Abdominal CT with intravenous contrast, arterial phase, axial plane, 120 kVp, kernel I26f. Slice 187/548 from the bottom of the scan; thickness 1.00 mm; pixel size 0.852 mm.
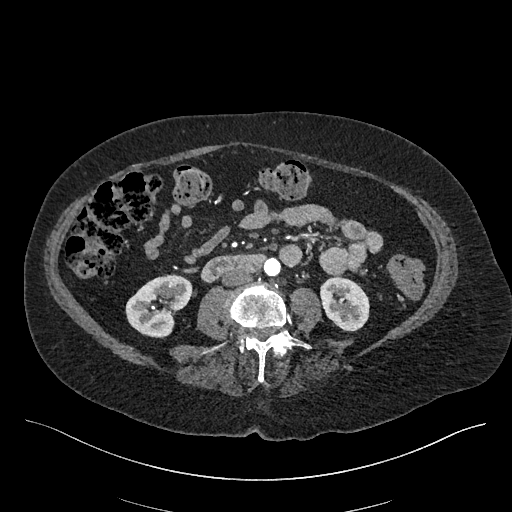
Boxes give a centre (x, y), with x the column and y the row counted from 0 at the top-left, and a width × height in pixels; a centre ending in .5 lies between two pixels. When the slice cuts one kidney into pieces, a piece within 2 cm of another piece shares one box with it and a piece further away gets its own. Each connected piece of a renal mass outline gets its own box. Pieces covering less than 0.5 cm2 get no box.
Two boxes on this slice (two kidney boxes), listed by box centre from the image's left to its right. (1) Right kidney, box centre (158.5, 305.5), 68 × 64 pixels (outlined area 2,941 px, about 21.3 cm2). (2) Left kidney in a box with centre (344.5, 303.5), 50 × 56 pixels (outlined area 2,115 px, about 15.3 cm2). No renal mass outline on this slice.